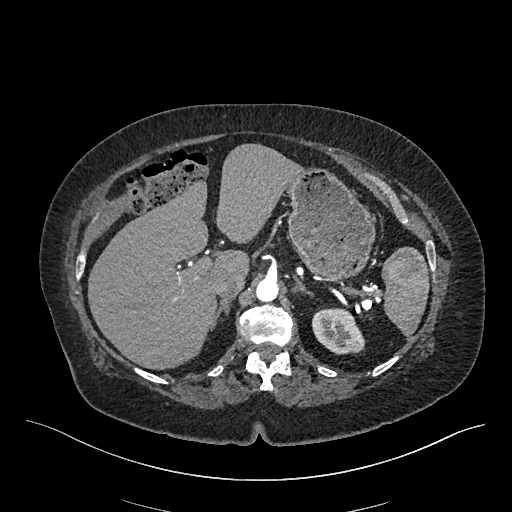
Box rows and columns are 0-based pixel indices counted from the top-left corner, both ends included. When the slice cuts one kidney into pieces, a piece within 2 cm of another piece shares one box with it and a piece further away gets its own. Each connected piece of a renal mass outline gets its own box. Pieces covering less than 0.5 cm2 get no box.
This is axial slice 343 of 548 (slice 1 is the lowest) of an arterial-phase abdominal CT with contrast; each pixel is 0.852 mm and the slice is 1.00 mm thick. Left kidney at rows 308–354, columns 311–365 (outlined area 1,891 px, about 13.7 cm2). No renal mass is outlined on this slice.
Scan settings: 120 kVp, I26f reconstruction kernel.